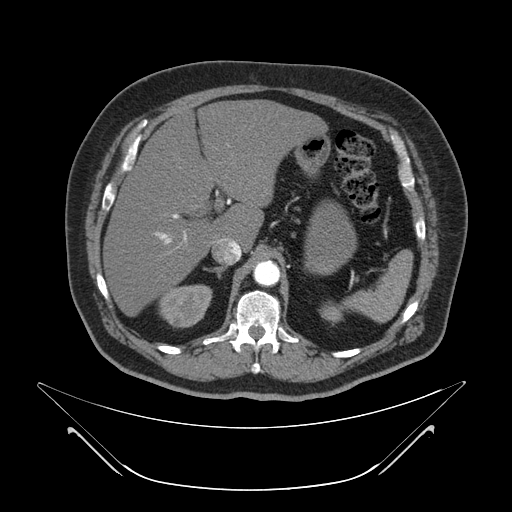
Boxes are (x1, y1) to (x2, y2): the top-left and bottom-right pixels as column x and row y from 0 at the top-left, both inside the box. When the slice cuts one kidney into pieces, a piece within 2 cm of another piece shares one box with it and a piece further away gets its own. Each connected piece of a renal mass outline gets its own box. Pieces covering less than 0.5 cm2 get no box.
This is axial slice 41 of 64 (slice 1 is the lowest) of an abdominal CT with contrast; each pixel is 0.977 mm and the slice is 4.00 mm thick. Boxed on this slice (two kidney boxes), listed by box centre from the image's left to its right: (1) Right kidney, box (158, 284) to (212, 328) (outlined area 1,848 px, about 17.6 cm2). (2) Box (319, 301) to (343, 325): left kidney (outlined area 378 px, about 3.6 cm2). No renal mass outline on this slice.
Tube voltage 120 kVp; convolution kernel B.